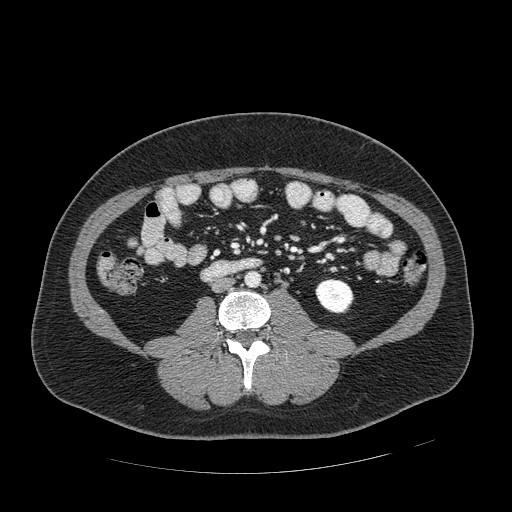
One axial slice (216 of 389, counting up from the lowest) of an arterial-phase abdominal CT acquired with 120 kVp, kernel STANDARD; each pixel is 0.869 mm and the slice is 1.25 mm thick.
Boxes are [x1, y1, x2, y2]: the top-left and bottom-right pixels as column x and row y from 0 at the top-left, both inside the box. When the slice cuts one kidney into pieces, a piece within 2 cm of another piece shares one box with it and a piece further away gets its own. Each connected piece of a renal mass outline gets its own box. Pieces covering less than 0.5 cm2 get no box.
Left kidney, box [315, 278, 354, 313] (outlined area 1,063 px, about 8.0 cm2). No renal mass is outlined on this slice.